One axial slice (340 of 626, counting up from the lowest) of an arterial-phase abdominal CT acquired with 120 kVp, kernel I30f; each pixel is 0.703 mm and the slice is 1.00 mm thick.
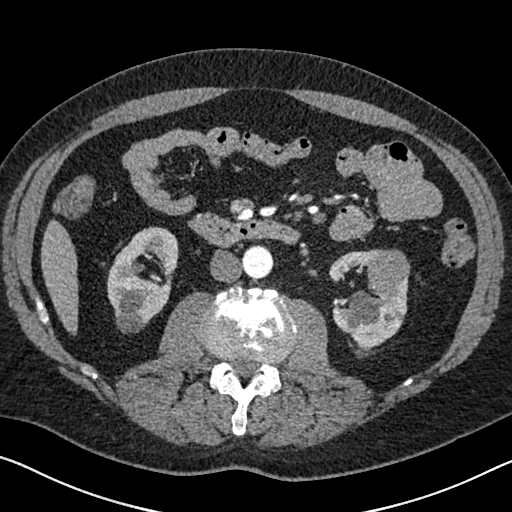
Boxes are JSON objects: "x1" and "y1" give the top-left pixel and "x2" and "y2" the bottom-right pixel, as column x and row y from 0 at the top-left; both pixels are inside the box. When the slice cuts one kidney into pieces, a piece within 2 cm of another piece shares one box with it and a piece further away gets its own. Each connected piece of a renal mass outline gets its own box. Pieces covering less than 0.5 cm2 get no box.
Two kidney boxes and one renal mass box on this slice; by box centre, from the image's left to its right: (1) Box {"x1": 107, "y1": 226, "x2": 178, "y2": 333}: right kidney (outlined area 5,097 px, about 25.2 cm2). (2) Left kidney at {"x1": 328, "y1": 249, "x2": 408, "y2": 348} (outlined area 4,089 px, about 20.2 cm2). (3) Box {"x1": 362, "y1": 249, "x2": 410, "y2": 295}: left renal mass (outlined area 1,718 px, about 8.5 cm2).